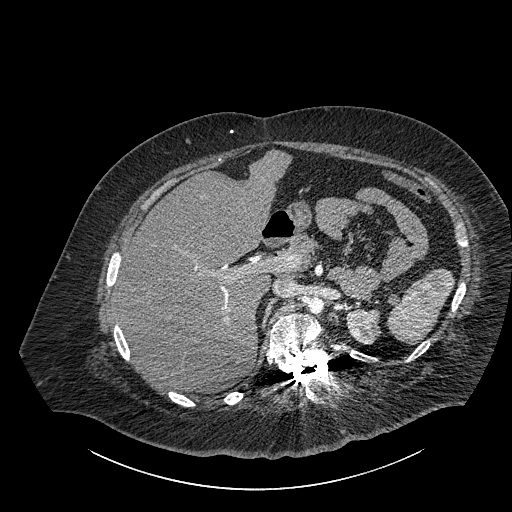
Contrast-enhanced abdominal CT, axial slice 631 of 834 (counted from the lowest slice); tube voltage 140 kVp, convolution kernel I30f; slices 1.00 mm thick, 0.977 mm per pixel.
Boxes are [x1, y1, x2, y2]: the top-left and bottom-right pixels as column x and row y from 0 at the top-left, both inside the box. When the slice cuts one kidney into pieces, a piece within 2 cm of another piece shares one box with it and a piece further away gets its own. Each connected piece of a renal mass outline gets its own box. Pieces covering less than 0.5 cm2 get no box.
Left part of the midline-crossing kidney, box [345, 308, 381, 344] (outlined area 1,028 px, about 9.8 cm2). No renal mass is outlined on this slice.